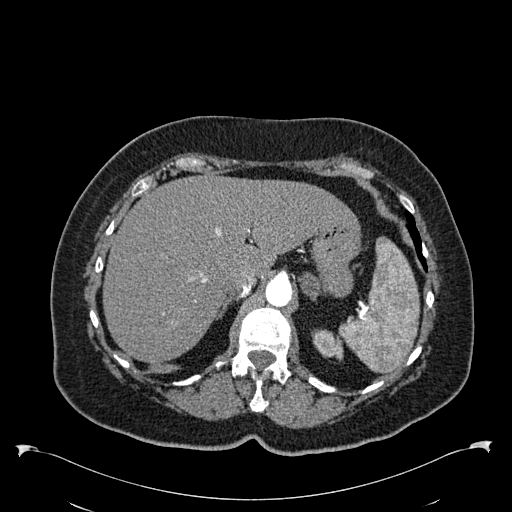
Abdominal CT with intravenous contrast, arterial phase, axial plane, 120 kVp, kernel B30f. Slice 445/538 from the bottom of the scan; thickness 1.00 mm; pixel size 0.811 mm.
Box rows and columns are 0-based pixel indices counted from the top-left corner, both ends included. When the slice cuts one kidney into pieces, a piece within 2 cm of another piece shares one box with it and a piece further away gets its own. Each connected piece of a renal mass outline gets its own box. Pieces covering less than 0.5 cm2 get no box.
Left kidney at rows 329–360, columns 311–343 (outlined area 721 px, about 4.7 cm2). This slice carries no renal mass outline.